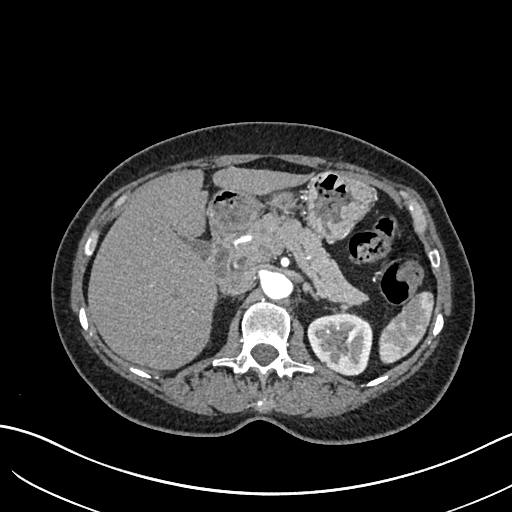
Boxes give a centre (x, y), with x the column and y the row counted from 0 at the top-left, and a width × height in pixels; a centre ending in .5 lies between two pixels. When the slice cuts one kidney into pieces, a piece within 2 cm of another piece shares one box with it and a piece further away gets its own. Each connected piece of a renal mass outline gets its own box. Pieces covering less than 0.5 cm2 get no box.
Arterial-phase contrast-enhanced abdominal CT, axial slice 437 of 683 (counted from the lowest slice); 1.00 mm thick, 0.738 mm per pixel. Left kidney in a box with centre (339.5, 343.5), 66 × 64 pixels (outlined area 3,205 px, about 17.5 cm2). This slice carries no renal mass outline.
Scan settings: 120 kVp, I30f reconstruction kernel.